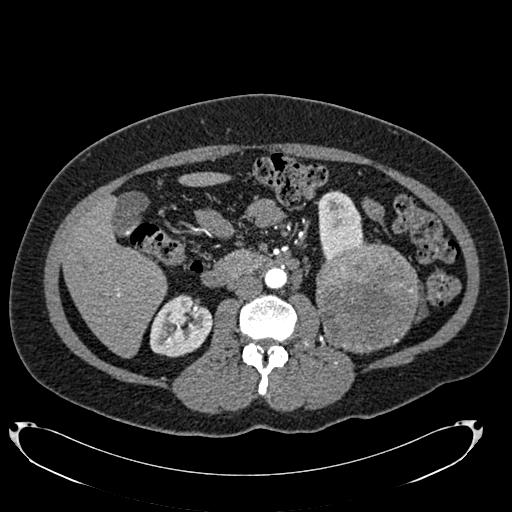
One axial slice (392 of 634, counting up from the lowest) of an arterial-phase abdominal CT acquired with 120 kVp, kernel B20f; each pixel is 0.838 mm and the slice is 1.00 mm thick.
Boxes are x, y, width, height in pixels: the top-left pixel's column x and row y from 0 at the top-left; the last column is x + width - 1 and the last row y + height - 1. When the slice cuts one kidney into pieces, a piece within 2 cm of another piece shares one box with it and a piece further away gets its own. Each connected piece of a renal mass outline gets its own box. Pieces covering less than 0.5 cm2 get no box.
Three boxes on this slice (two kidney boxes and one renal mass box), listed by box centre from the image's left to its right. (1) Right kidney, box x 149, y 294, width 64, height 64 (outlined area 2,949 px, about 20.7 cm2). (2) Left kidney, box x 316, y 190, width 51, height 69 (outlined area 2,316 px, about 16.3 cm2). (3) Left renal mass at x 316, y 241, width 104, height 114 (outlined area 9,240 px, about 64.9 cm2).